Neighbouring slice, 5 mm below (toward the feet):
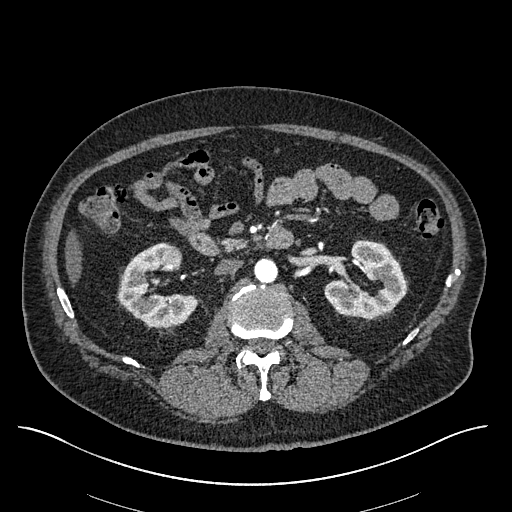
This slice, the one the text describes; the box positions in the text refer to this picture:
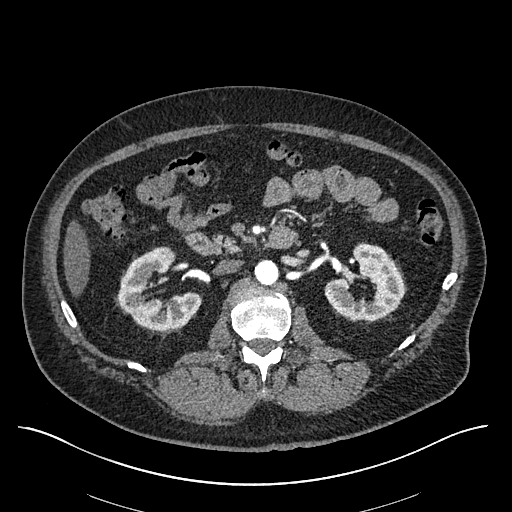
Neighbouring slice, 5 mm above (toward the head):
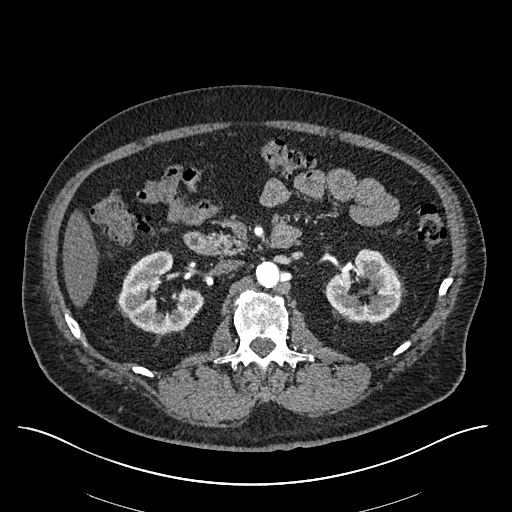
Abdominal CT with intravenous contrast, arterial phase, axial plane, 120 kVp, kernel I30f. Slice 335/670 from the bottom of the scan; thickness 1.00 mm; pixel size 0.861 mm.
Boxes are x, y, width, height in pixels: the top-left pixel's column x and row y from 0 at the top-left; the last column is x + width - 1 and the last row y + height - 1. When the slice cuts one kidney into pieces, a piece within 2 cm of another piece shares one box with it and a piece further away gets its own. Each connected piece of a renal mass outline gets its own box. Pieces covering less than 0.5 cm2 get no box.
Three boxes on this slice (two kidney boxes and one renal mass box), listed by box centre from the image's left to its right. (1) Box x 117, y 246, width 85, height 85: right kidney (outlined area 4,220 px, about 31.3 cm2). (2) Right renal mass, box x 166, y 251, width 11, height 10 (outlined area 90 px, about 0.7 cm2). (3) Left kidney, box x 324, y 243, width 81, height 78 (outlined area 3,991 px, about 29.6 cm2). This slice lies near the end of the right renal mass toward the head; the slices 5 mm below and 5 mm above it are shown too, and the boxes mark positions on this slice only.